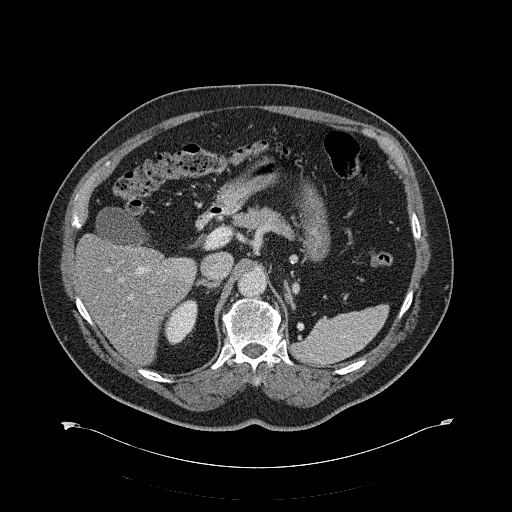
One axial slice (424 of 734, counting up from the lowest) of a contrast-enhanced abdominal CT acquired with 120 kVp, kernel B31f; each pixel is 0.971 mm and the slice is 2.00 mm thick.
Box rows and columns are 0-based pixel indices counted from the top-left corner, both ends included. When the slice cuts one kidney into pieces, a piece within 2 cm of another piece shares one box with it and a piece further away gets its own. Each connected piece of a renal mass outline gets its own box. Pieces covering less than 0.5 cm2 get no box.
Right kidney, box rows 299–344, columns 164–197 (outlined area 1,051 px, about 9.9 cm2). No renal mass outline on this slice.